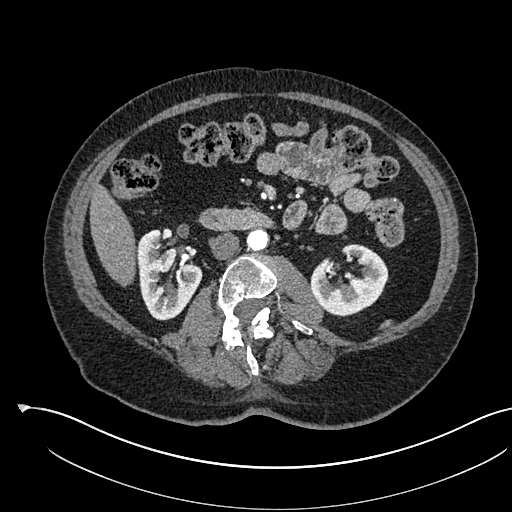
Arterial-phase contrast-enhanced abdominal CT, axial slice 288 of 541 (counted from the lowest slice); tube voltage 120 kVp, convolution kernel I30f; slices 1.00 mm thick, 0.834 mm per pixel.
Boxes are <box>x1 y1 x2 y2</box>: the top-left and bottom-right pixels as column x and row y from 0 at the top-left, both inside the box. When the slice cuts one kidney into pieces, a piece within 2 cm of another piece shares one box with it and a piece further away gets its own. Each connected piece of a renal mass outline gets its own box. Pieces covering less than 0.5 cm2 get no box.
Boxed on this slice (two kidney boxes), listed by box centre from the image's left to its right: (1) Right kidney: <box>137 228 201 320</box> (outlined area 4,018 px, about 27.9 cm2). (2) Left kidney: <box>310 244 388 316</box> (outlined area 3,772 px, about 26.2 cm2). No renal mass is outlined on this slice.